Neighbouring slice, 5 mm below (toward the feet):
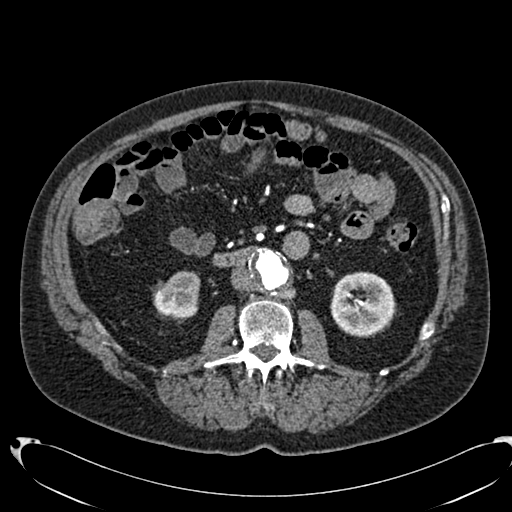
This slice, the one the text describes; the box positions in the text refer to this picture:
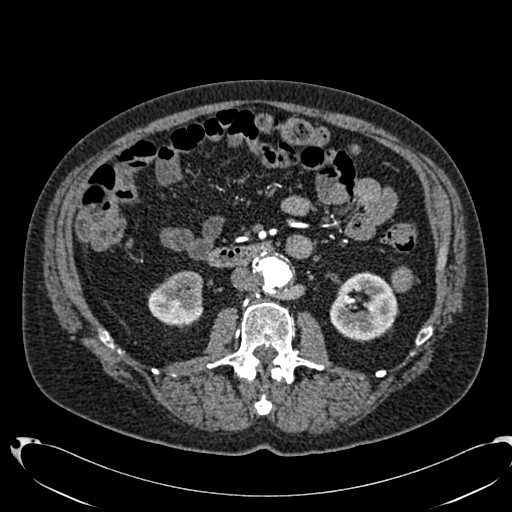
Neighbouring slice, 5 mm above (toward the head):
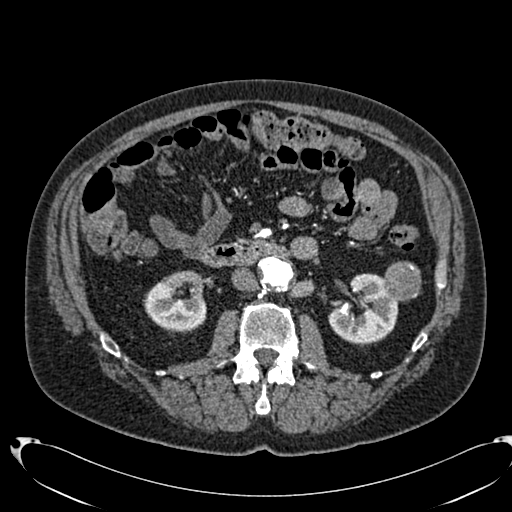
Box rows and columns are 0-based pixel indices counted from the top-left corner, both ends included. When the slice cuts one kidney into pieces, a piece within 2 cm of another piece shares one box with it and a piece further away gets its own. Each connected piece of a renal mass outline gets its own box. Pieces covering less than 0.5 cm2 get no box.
Arterial-phase contrast-enhanced abdominal CT, axial slice 378 of 553 (counted from the lowest slice); 1.00 mm thick, 0.773 mm per pixel. Three boxes on this slice (two kidney boxes and one renal mass box), listed by box centre from the image's left to its right. (1) Right kidney at rows 271–328, columns 147–203 (outlined area 2,436 px, about 14.6 cm2). (2) Left kidney at rows 271–342, columns 329–398 (outlined area 3,465 px, about 20.7 cm2). (3) Left renal mass, box rows 266–292, columns 391–413 (outlined area 471 px, about 2.8 cm2). This slice lies near the end of the left renal mass toward the feet; the slices 5 mm below and 5 mm above it are shown too, and the boxes mark positions on this slice only.
Acquired at 120 kVp and reconstructed with the B20f kernel.